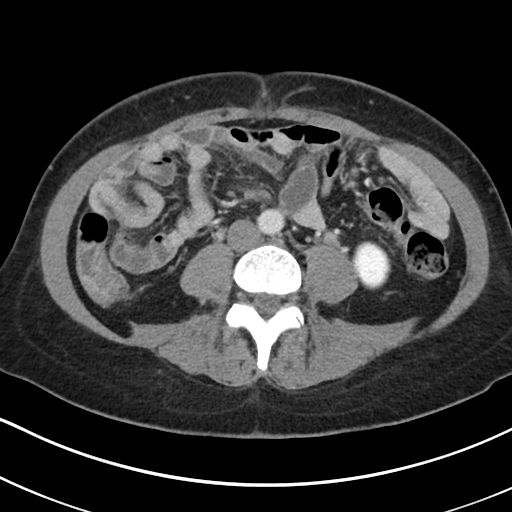
Abdominal CT with intravenous contrast, axial plane, 100 kVp, kernel I30f. Slice 89/178 from the bottom of the scan; thickness 5.00 mm; pixel size 0.650 mm.
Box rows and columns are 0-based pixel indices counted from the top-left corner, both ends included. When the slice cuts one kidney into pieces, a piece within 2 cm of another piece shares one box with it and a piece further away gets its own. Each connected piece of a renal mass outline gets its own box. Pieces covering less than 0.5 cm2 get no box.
Left kidney at rows 241–289, columns 351–390 (outlined area 1,483 px, about 6.3 cm2). No renal mass outline on this slice.